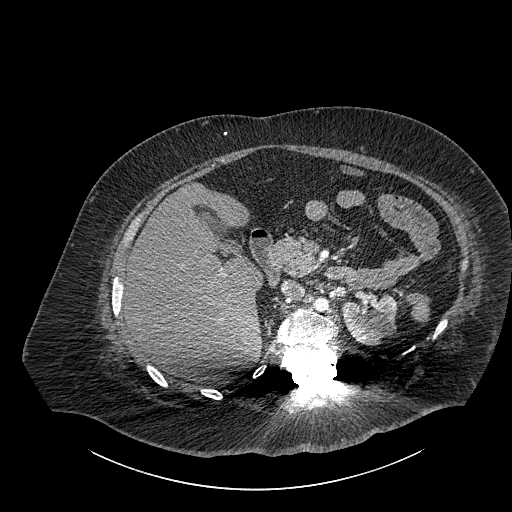
Axial slice 593 of 834 of a contrast-enhanced abdominal CT (slice 1 is the lowest), 140 kVp, kernel I30f; 1.00 mm slice thickness and 0.977 mm pixels.
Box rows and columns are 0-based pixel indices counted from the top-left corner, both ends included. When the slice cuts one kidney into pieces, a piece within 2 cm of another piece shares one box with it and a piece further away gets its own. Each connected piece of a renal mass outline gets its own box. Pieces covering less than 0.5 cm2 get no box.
Left part of the midline-crossing kidney, box rows 293–344, columns 342–396 (outlined area 2,208 px, about 21.1 cm2). No renal mass is outlined on this slice.